Arterial-phase contrast-enhanced abdominal CT, axial slice 251 of 445 (counted from the lowest slice); tube voltage 120 kVp, convolution kernel STANDARD; slices 1.25 mm thick, 0.863 mm per pixel.
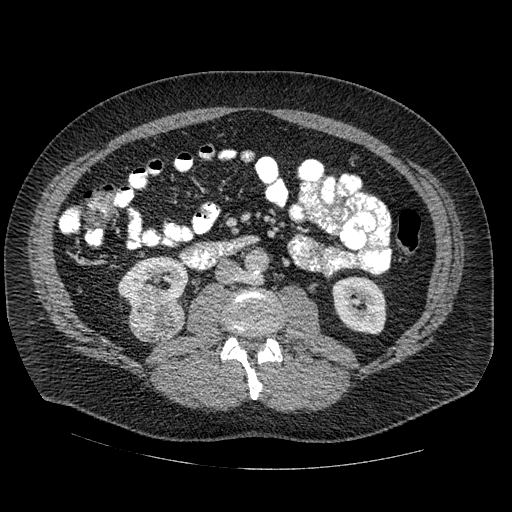
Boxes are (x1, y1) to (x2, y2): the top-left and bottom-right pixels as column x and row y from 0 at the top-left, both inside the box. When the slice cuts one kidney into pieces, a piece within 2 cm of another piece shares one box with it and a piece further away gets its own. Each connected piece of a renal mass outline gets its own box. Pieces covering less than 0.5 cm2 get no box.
Two kidney boxes and one renal mass box on this slice; by box centre, from the image's left to its right: (1) Box (117, 256) to (188, 308): right kidney (outlined area 2,651 px, about 19.8 cm2). (2) Right renal mass, box (129, 301) to (184, 343) (outlined area 1,926 px, about 14.4 cm2). (3) Left kidney from (332, 276) to (386, 334) (outlined area 2,546 px, about 19.0 cm2).